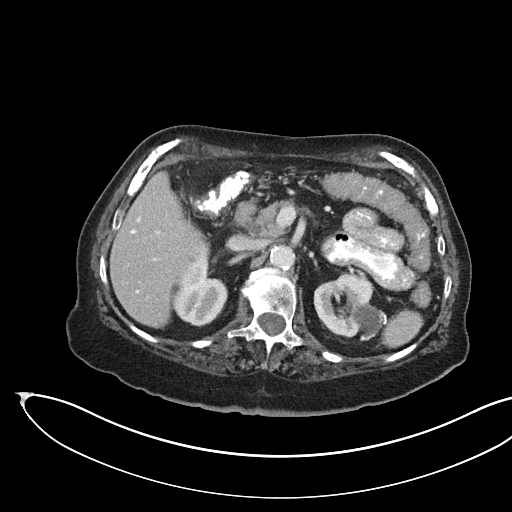
One axial slice (106 of 145, counting up from the lowest) of an arterial-phase abdominal CT acquired with 100 kVp, kernel I40f; each pixel is 0.834 mm and the slice is 3.00 mm thick.
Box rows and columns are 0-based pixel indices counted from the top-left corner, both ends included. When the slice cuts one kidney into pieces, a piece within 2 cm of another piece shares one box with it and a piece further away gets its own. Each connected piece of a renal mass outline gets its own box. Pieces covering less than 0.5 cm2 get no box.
Two kidney boxes on this slice; by box centre, from the image's left to its right: (1) Kidney at rows 257–325, columns 173–226 (outlined area 2,522 px, about 17.5 cm2). (2) Kidney at rows 273–340, columns 313–387 (outlined area 3,371 px, about 23.4 cm2). No renal mass is outlined on this slice.